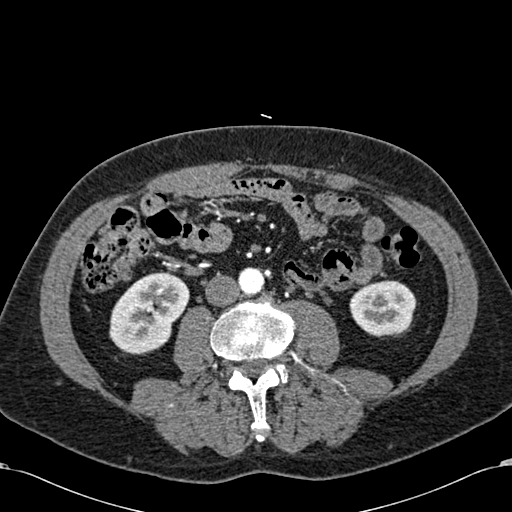
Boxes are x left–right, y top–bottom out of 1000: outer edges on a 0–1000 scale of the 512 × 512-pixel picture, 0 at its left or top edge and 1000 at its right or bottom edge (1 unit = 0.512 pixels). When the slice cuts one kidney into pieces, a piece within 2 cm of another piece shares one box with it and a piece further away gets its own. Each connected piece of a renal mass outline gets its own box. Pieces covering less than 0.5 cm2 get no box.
Arterial-phase contrast-enhanced abdominal CT, axial slice 248 of 581 (counted from the lowest slice); 1.00 mm thick, 0.713 mm per pixel. Two boxes on this slice (two kidney boxes), listed by box centre from the image's left to its right. (1) Right kidney at x 213–371, y 529–693 out of 1000 (outlined area 4,707 px, about 23.9 cm2). (2) Box x 682–814, y 547–658 out of 1000: left kidney (outlined area 3,004 px, about 15.3 cm2). This slice carries no renal mass outline.
Tube voltage 120 kVp; convolution kernel B30f.